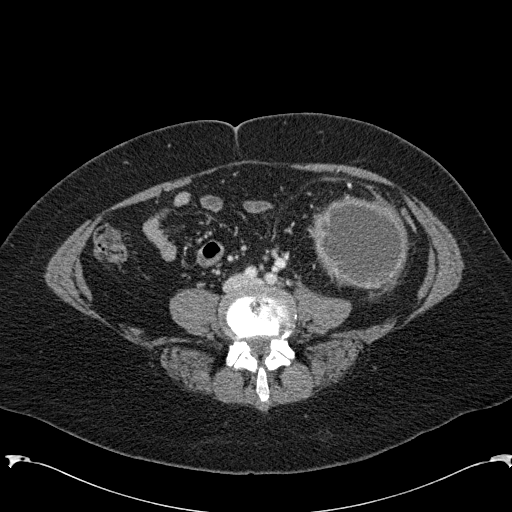
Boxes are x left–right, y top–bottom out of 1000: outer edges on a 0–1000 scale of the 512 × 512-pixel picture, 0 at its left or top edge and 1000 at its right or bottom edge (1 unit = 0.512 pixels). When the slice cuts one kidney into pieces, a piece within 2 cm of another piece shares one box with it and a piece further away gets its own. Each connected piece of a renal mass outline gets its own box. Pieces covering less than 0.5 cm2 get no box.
This is axial slice 31 of 285 (slice 1 is the lowest) of an arterial-phase abdominal CT with contrast; each pixel is 0.762 mm and the slice is 2.00 mm thick. Left renal mass at x 604–801, y 383–566 out of 1000 (outlined area 7,275 px, about 42.2 cm2); no kidney is outlined on this slice, but the same outlined renal mass comes within 1 cm of the kidney on another slice.
Tube voltage 120 kVp; convolution kernel B31f.